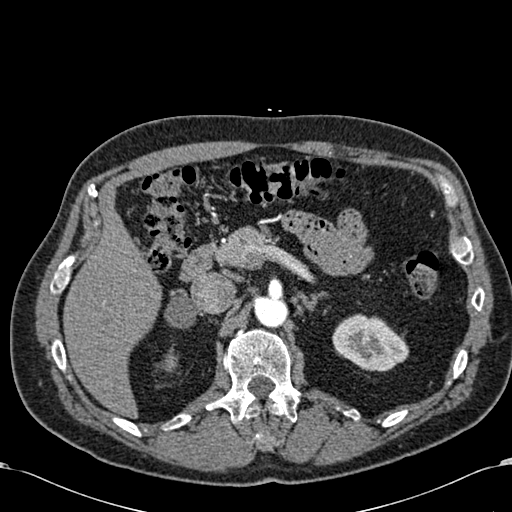
Arterial-phase contrast-enhanced abdominal CT, axial slice 420 of 581 (counted from the lowest slice); tube voltage 120 kVp, convolution kernel B30f; slices 1.00 mm thick, 0.713 mm per pixel.
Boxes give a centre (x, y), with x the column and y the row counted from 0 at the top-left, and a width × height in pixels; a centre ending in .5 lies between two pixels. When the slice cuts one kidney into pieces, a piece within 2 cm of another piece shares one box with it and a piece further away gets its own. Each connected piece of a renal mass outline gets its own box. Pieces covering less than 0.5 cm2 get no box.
Two boxes on this slice (two kidney boxes), listed by box centre from the image's left to its right. (1) Right kidney in a box with centre (168, 363.5), 15 × 16 pixels (outlined area 185 px, about 0.9 cm2). (2) Box centre (370.5, 342), 78 × 59 pixels: left kidney (outlined area 3,167 px, about 16.1 cm2). No renal mass is outlined on this slice.